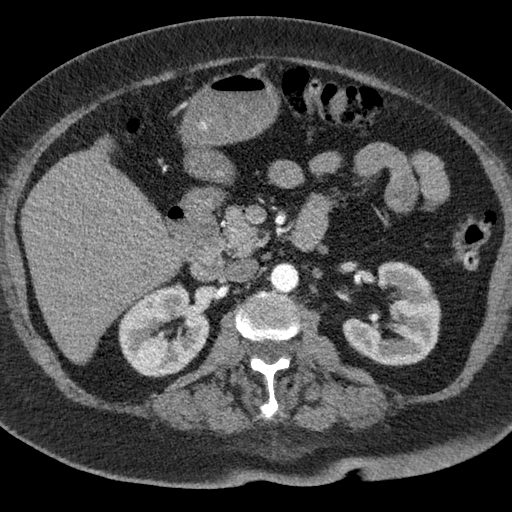
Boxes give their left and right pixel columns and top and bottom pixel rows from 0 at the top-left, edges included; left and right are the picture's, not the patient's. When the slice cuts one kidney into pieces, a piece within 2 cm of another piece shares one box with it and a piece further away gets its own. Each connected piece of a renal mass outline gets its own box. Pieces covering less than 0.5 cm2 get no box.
Contrast-enhanced abdominal CT, axial slice 37 of 76 (counted from the lowest slice); 3.00 mm thick, 0.684 mm per pixel. Two kidney boxes on this slice; by box centre, from the image's left to its right: (1) Right kidney in the box with left 118, top 282, right 209, bottom 377 (outlined area 6,194 px, about 28.9 cm2). (2) Box with left 342, top 261, right 441, bottom 366: left kidney (outlined area 6,451 px, about 30.1 cm2). No renal mass is outlined on this slice.
Acquired at 120 kVp and reconstructed with the B kernel.